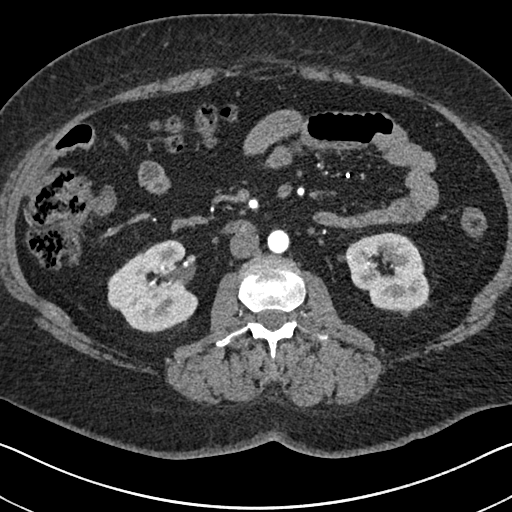
Abdominal CT with intravenous contrast, arterial phase, axial plane, 140 kVp, kernel I30f. Slice 359/591 from the bottom of the scan; thickness 1.00 mm; pixel size 0.703 mm.
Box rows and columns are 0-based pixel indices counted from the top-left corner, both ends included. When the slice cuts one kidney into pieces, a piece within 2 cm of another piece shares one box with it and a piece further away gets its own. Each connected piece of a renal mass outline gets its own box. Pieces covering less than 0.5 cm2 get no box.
Two boxes on this slice (two kidney boxes), listed by box centre from the image's left to its right. (1) Box rows 240–333, columns 107–198: right kidney (outlined area 5,982 px, about 29.6 cm2). (2) Left kidney at rows 232–311, columns 345–429 (outlined area 4,897 px, about 24.2 cm2). No renal mass outline on this slice.